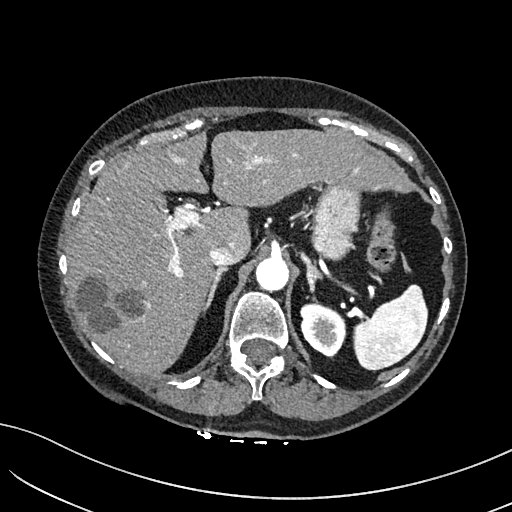
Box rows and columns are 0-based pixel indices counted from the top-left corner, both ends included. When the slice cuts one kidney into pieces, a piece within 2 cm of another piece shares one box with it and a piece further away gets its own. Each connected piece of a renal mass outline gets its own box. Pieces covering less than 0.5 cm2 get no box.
Slice 125/234 of a contrast-enhanced abdominal CT in the arterial phase, counting up from the lowest; pixel size 0.699 mm, slice thickness 2.00 mm. Left kidney at rows 302–357, columns 300–345 (outlined area 1,898 px, about 9.3 cm2). No renal mass is outlined on this slice.
Tube voltage 100 kVp; convolution kernel I40f.